One axial slice (15 of 32, counting up from the lowest) of an arterial-phase abdominal CT acquired with 100 kVp, kernel I40f; each pixel is 0.779 mm and the slice is 5.00 mm thick.
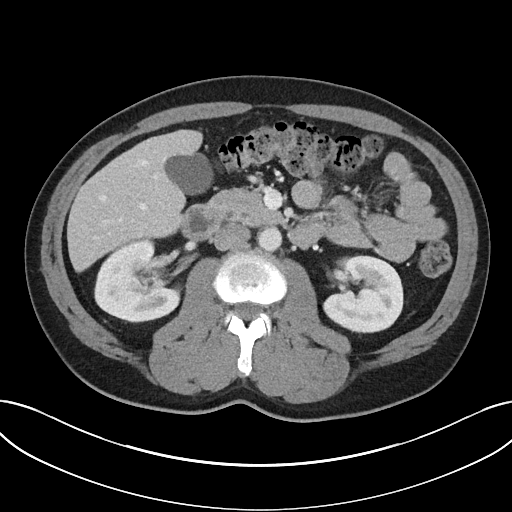
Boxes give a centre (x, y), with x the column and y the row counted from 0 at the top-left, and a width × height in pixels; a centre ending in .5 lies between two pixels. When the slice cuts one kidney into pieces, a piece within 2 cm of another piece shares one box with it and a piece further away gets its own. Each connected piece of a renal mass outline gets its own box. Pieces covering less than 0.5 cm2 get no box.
Two boxes on this slice (two kidney boxes), listed by box centre from the image's left to its right. (1) Right kidney, box centre (137.5, 280), 88 × 85 pixels (outlined area 5,386 px, about 32.7 cm2). (2) Box centre (363, 294), 81 × 79 pixels: left kidney (outlined area 4,804 px, about 29.2 cm2). This slice carries no renal mass outline.